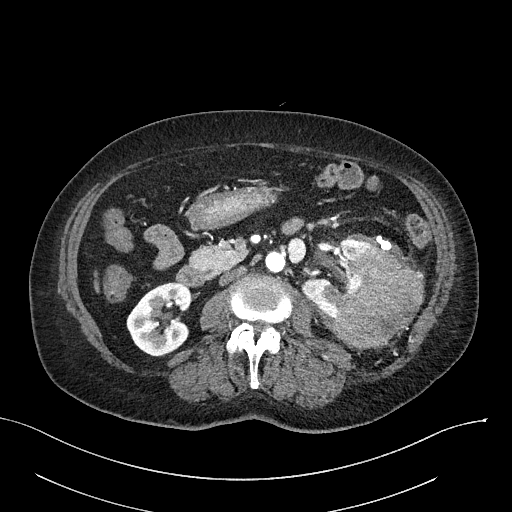
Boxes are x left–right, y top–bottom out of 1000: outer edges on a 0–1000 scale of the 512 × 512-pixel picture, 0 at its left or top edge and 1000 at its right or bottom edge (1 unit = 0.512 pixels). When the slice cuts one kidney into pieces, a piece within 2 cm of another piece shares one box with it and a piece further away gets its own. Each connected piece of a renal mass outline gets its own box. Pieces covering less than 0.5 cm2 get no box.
Arterial-phase contrast-enhanced abdominal CT, axial slice 121 of 316 (counted from the lowest slice); 2.00 mm thick, 0.840 mm per pixel. Two kidney boxes and one renal mass box on this slice; by box centre, from the image's left to its right: (1) Box x 246–373, y 551–697 out of 1000: right kidney (outlined area 3,503 px, about 24.7 cm2). (2) Left kidney at x 588–730, y 467–621 out of 1000 (outlined area 2,584 px, about 18.2 cm2). (3) Left renal mass at x 654–830, y 480–684 out of 1000 (outlined area 6,374 px, about 45.0 cm2).
Tube voltage 100 kVp; convolution kernel I40f.